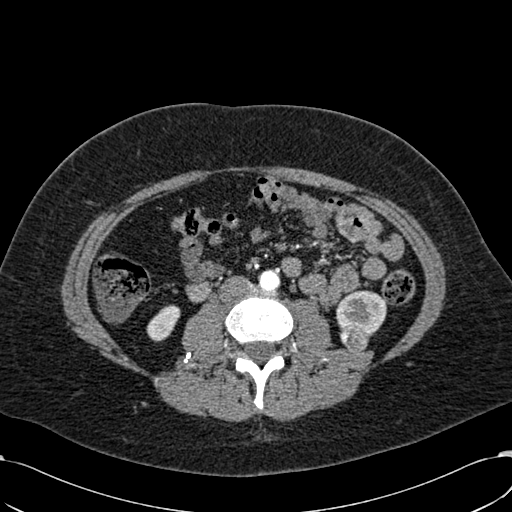
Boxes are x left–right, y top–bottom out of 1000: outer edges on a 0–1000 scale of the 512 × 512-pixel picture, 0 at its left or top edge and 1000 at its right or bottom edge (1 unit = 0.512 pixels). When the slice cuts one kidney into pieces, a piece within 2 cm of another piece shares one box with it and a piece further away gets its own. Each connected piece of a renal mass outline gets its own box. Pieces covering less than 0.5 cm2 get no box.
Arterial-phase contrast-enhanced abdominal CT, axial slice 272 of 532 (counted from the lowest slice); 1.00 mm thick, 0.713 mm per pixel. Boxed on this slice (two kidney boxes and one renal mass box), listed by box centre from the image's left to its right: (1) Right kidney, box x 285–354, y 596–668 out of 1000 (outlined area 823 px, about 4.2 cm2). (2) Left renal mass at x 662–723, y 639–693 out of 1000 (outlined area 601 px, about 3.1 cm2). (3) Left kidney, box x 656–758, y 566–658 out of 1000 (outlined area 1,763 px, about 9.0 cm2).
Scan settings: 120 kVp, B30f reconstruction kernel.